Abdominal CT with intravenous contrast, arterial phase, axial plane, 120 kVp, kernel I30f. Slice 289/602 from the bottom of the scan; thickness 1.00 mm; pixel size 0.799 mm.
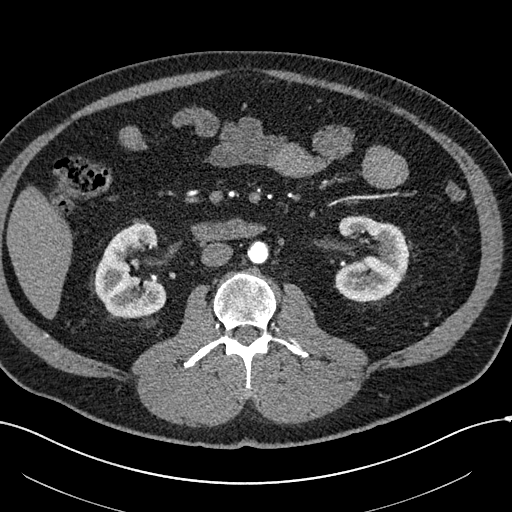
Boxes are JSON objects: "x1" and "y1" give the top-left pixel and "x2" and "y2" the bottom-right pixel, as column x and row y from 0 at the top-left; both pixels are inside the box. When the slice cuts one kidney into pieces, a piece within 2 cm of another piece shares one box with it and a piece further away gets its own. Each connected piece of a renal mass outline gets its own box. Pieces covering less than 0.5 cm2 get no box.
Two kidney boxes on this slice; by box centre, from the image's left to its right: (1) Right kidney at {"x1": 94, "y1": 223, "x2": 166, "y2": 318} (outlined area 4,756 px, about 30.3 cm2). (2) Box {"x1": 335, "y1": 215, "x2": 409, "y2": 302}: left kidney (outlined area 4,735 px, about 30.2 cm2). This slice carries no renal mass outline.